Arterial-phase contrast-enhanced abdominal CT, axial slice 365 of 705 (counted from the lowest slice); tube voltage 120 kVp, convolution kernel I30f; slices 1.00 mm thick, 0.703 mm per pixel.
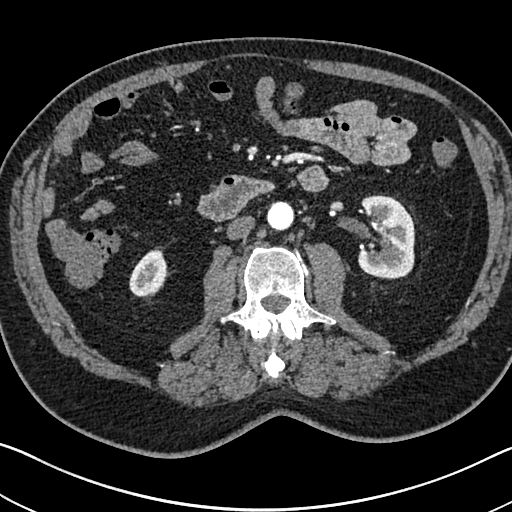
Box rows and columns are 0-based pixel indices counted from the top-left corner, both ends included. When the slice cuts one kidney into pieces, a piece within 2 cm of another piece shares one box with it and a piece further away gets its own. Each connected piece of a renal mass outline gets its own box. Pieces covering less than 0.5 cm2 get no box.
Two boxes on this slice (two kidney boxes), listed by box centre from the image's left to its right. (1) Right kidney at rows 249–296, columns 129–167 (outlined area 1,278 px, about 6.3 cm2). (2) Box rows 195–278, columns 357–414: left kidney (outlined area 3,967 px, about 19.6 cm2). No renal mass outline on this slice.